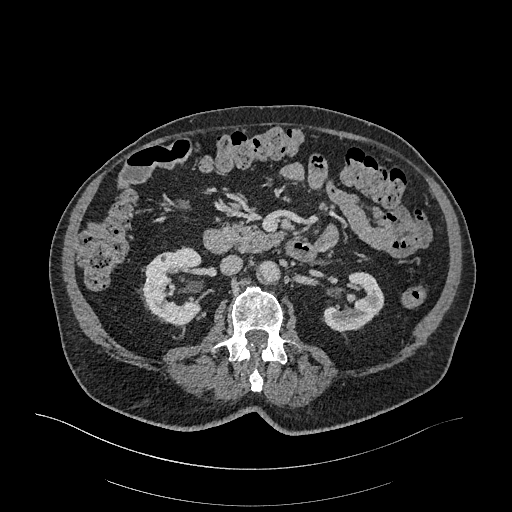
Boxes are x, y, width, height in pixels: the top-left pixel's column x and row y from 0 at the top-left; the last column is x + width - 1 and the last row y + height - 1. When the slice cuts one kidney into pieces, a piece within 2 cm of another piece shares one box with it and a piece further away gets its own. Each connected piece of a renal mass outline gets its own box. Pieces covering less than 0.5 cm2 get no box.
Arterial-phase contrast-enhanced abdominal CT, axial slice 157 of 470 (counted from the lowest slice); 1.00 mm thick, 0.938 mm per pixel. Two boxes on this slice (two kidney boxes), listed by box centre from the image's left to its right. (1) Right kidney, box x 140, y 246, width 62, height 80 (outlined area 3,451 px, about 30.3 cm2). (2) Left kidney at x 323, y 272, width 62, height 62 (outlined area 2,282 px, about 20.1 cm2). This slice carries no renal mass outline.
Scan settings: 120 kVp, I26f reconstruction kernel.